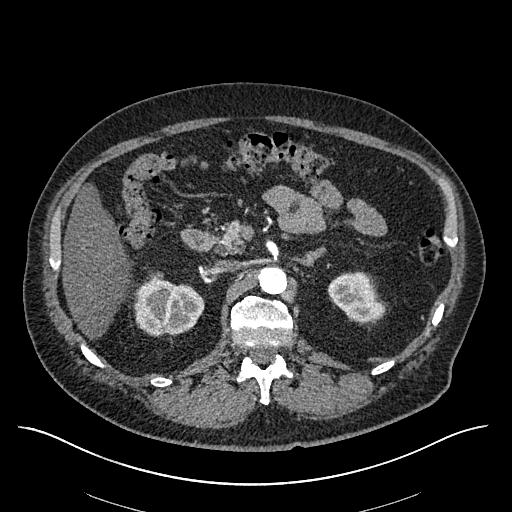
Arterial-phase contrast-enhanced abdominal CT, axial slice 379 of 670 (counted from the lowest slice); tube voltage 120 kVp, convolution kernel I30f; slices 1.00 mm thick, 0.861 mm per pixel.
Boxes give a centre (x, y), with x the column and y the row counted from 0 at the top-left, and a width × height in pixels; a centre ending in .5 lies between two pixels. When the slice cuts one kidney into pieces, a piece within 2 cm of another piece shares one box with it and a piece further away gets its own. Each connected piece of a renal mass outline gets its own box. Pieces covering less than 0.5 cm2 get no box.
Boxed on this slice (two kidney boxes), listed by box centre from the image's left to its right: (1) Box centre (169, 303.5), 71 × 66 pixels: right kidney (outlined area 3,315 px, about 24.6 cm2). (2) Box centre (356, 297), 57 × 53 pixels: left kidney (outlined area 2,068 px, about 15.3 cm2). No renal mass is outlined on this slice.